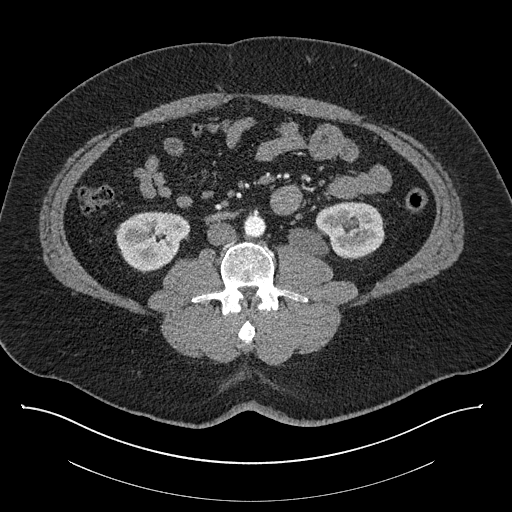
Axial slice 404 of 787 of a contrast-enhanced abdominal CT (slice 1 is the lowest), 140 kVp, kernel I30f; 1.00 mm slice thickness and 0.910 mm pixels.
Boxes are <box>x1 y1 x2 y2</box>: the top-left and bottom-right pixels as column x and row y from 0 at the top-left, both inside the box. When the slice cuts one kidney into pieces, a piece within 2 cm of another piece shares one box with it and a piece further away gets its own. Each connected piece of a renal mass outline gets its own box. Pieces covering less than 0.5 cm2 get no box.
Two kidney boxes on this slice; by box centre, from the image's left to its right: (1) Right kidney at <box>116 211 190 271</box> (outlined area 3,360 px, about 27.8 cm2). (2) Left kidney at <box>287 201 384 258</box> (outlined area 3,874 px, about 32.1 cm2). No renal mass outline on this slice.